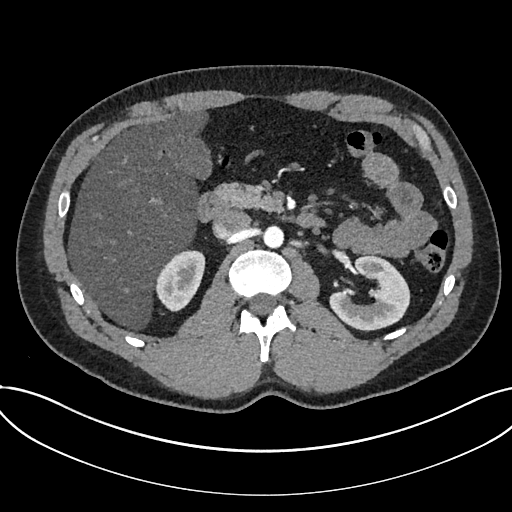
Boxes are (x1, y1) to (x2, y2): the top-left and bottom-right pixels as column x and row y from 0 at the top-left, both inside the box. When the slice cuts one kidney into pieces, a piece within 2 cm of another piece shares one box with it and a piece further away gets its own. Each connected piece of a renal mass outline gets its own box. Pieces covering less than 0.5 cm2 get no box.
This is axial slice 448 of 735 (slice 1 is the lowest) of an arterial-phase abdominal CT with contrast; each pixel is 0.789 mm and the slice is 1.00 mm thick. Two boxes on this slice (two kidney boxes), listed by box centre from the image's left to its right. (1) Box (156, 249) to (204, 311): kidney (outlined area 2,165 px, about 13.5 cm2). (2) Kidney from (329, 255) to (409, 331) (outlined area 3,919 px, about 24.4 cm2). This slice carries no renal mass outline.
Tube voltage 120 kVp; convolution kernel I30f.